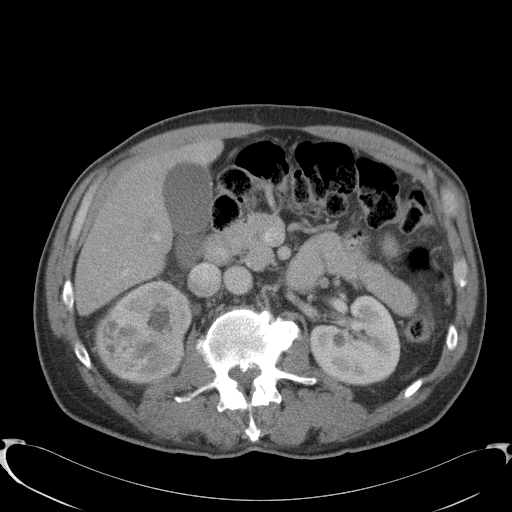
One axial slice (64 of 91, counting up from the lowest) of a contrast-enhanced abdominal CT acquired with 120 kVp, kernel B41f; each pixel is 0.762 mm and the slice is 5.00 mm thick.
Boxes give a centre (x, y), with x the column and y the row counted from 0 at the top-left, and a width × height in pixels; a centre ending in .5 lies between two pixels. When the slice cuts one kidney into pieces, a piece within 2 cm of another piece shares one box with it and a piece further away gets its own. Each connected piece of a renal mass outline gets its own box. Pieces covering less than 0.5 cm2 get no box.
Boxed on this slice (two kidney boxes and one renal mass box), listed by box centre from the image's left to its right: (1) Right renal mass, box centre (123.5, 344), 58 × 59 pixels (outlined area 2,391 px, about 13.9 cm2). (2) Right kidney in a box with centre (148.5, 331.5), 88 × 104 pixels (outlined area 5,145 px, about 29.9 cm2). (3) Left kidney, box centre (354.5, 339), 92 × 91 pixels (outlined area 6,189 px, about 35.9 cm2).